Contrast-enhanced abdominal CT, axial slice 29 of 103 (counted from the lowest slice); tube voltage 120 kVp, convolution kernel STANDARD; slices 2.50 mm thick, 0.820 mm per pixel.
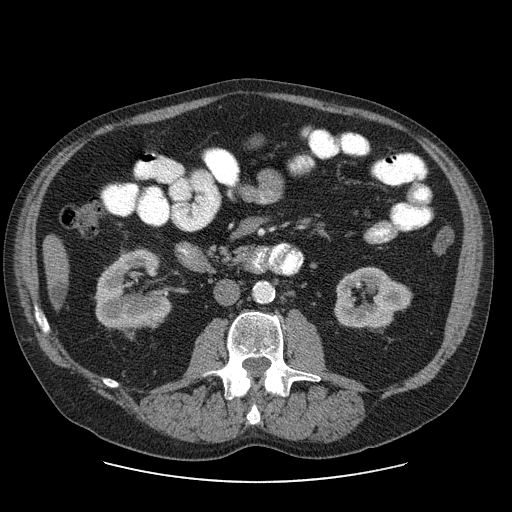
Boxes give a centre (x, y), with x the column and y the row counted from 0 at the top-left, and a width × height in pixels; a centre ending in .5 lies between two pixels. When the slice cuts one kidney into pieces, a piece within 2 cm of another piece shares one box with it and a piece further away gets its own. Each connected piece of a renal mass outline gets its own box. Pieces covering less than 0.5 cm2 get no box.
Two kidney boxes on this slice; by box centre, from the image's left to its right: (1) Right kidney in a box with centre (133, 289), 77 × 81 pixels (outlined area 4,448 px, about 29.9 cm2). (2) Left kidney in a box with centre (372.5, 297.5), 78 × 64 pixels (outlined area 3,492 px, about 23.5 cm2). This slice carries no renal mass outline.